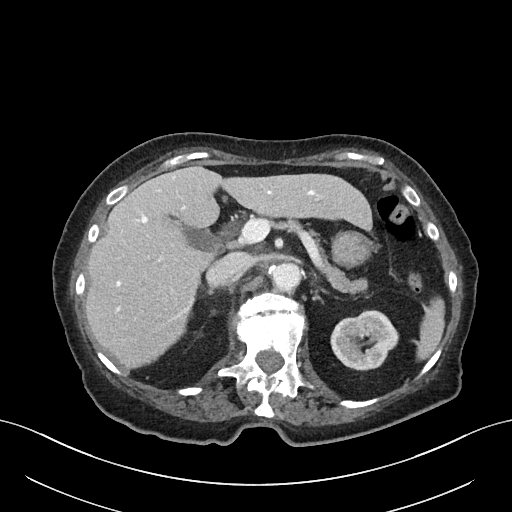
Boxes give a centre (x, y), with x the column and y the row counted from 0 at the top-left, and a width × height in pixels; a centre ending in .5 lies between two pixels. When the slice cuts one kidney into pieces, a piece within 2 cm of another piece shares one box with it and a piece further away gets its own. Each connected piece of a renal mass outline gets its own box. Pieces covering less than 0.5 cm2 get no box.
This is axial slice 44 of 76 (slice 1 is the lowest) of an abdominal CT with contrast; each pixel is 0.768 mm and the slice is 3.00 mm thick. Left kidney, box centre (364, 339.5), 69 × 60 pixels (outlined area 3,055 px, about 18.0 cm2). No renal mass outline on this slice.
Tube voltage 100 kVp; convolution kernel I40f.